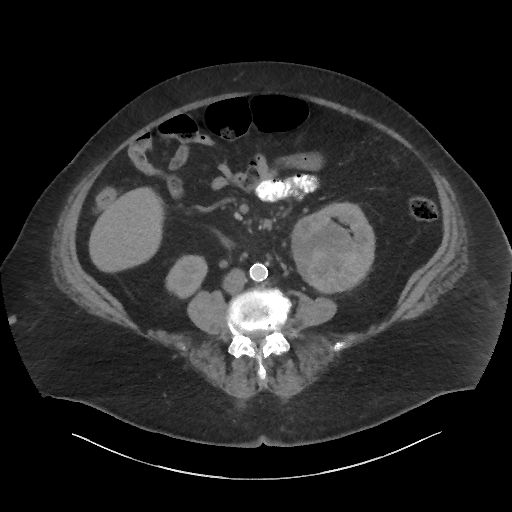
One axial slice (19 of 86, counting up from the lowest) of a contrast-enhanced abdominal CT acquired with 140 kVp, kernel I44f; each pixel is 0.977 mm and the slice is 3.00 mm thick.
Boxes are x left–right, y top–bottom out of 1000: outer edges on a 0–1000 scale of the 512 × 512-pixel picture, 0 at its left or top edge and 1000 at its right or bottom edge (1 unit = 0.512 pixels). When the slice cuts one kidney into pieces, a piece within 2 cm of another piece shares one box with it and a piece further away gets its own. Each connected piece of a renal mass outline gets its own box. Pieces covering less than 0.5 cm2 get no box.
Three boxes on this slice (two kidney boxes and one renal mass box), listed by box centre from the image's left to its right. (1) Right kidney at x 324–406, y 498–584 out of 1000 (outlined area 1,329 px, about 12.7 cm2). (2) Left renal mass, box x 568–715, y 412–576 out of 1000 (outlined area 4,510 px, about 43.0 cm2). (3) Left kidney at x 623–734, y 395–539 out of 1000 (outlined area 1,588 px, about 15.1 cm2).